Axial slice 163 of 279 of a contrast-enhanced abdominal CT in the arterial phase (slice 1 is the lowest), 120 kVp, kernel B31f; 2.00 mm slice thickness and 0.824 mm pixels.
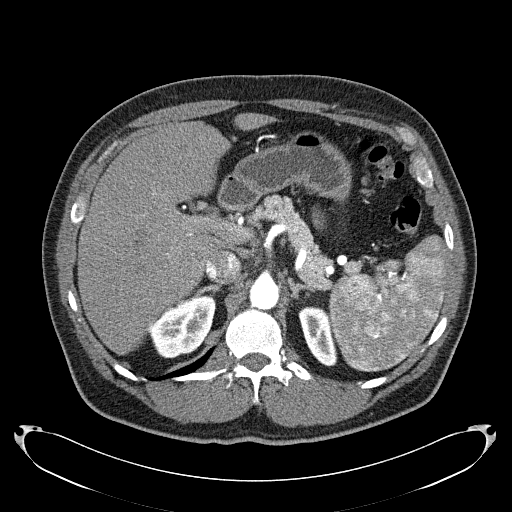
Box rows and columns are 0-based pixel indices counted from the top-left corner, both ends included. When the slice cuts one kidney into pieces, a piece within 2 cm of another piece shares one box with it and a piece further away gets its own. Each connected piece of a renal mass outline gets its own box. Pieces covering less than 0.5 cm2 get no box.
Two kidney boxes on this slice; by box centre, from the image's left to its right: (1) Right kidney, box rows 295–358, columns 146–215 (outlined area 2,923 px, about 19.9 cm2). (2) Left kidney at rows 306–365, columns 298–337 (outlined area 1,572 px, about 10.7 cm2). No renal mass outline on this slice.